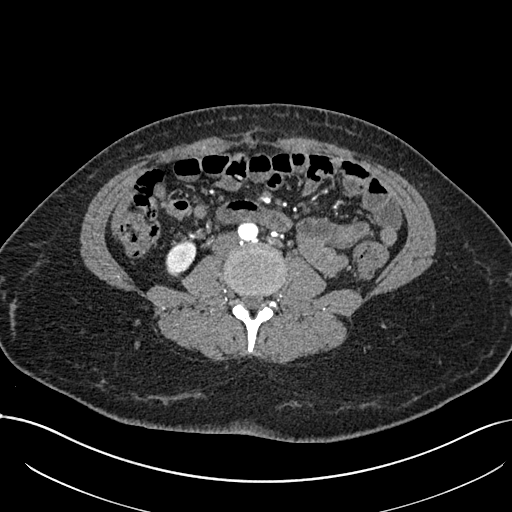
Abdominal CT with intravenous contrast, arterial phase, axial plane, 120 kVp, kernel I30f. Slice 310/738 from the bottom of the scan; thickness 1.00 mm; pixel size 0.789 mm.
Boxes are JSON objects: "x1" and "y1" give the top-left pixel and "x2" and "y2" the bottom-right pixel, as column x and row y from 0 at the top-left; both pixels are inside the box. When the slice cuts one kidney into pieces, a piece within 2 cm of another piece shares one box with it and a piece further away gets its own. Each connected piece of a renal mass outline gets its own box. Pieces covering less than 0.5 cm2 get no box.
Box {"x1": 165, "y1": 240, "x2": 196, "y2": 276}: right kidney (outlined area 850 px, about 5.3 cm2). This slice carries no renal mass outline.